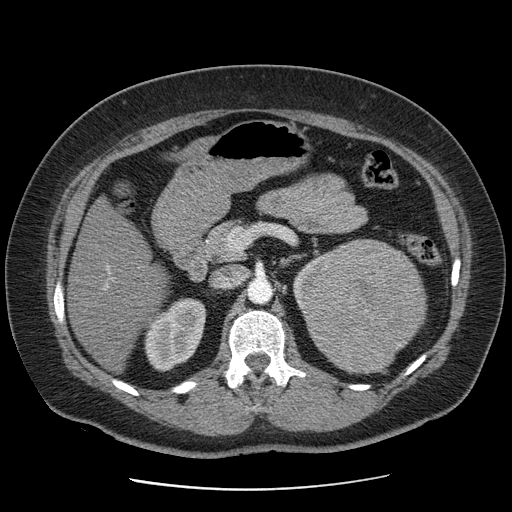
One axial slice (55 of 103, counting up from the lowest) of a contrast-enhanced abdominal CT acquired with 120 kVp, kernel STANDARD; each pixel is 0.736 mm and the slice is 2.50 mm thick.
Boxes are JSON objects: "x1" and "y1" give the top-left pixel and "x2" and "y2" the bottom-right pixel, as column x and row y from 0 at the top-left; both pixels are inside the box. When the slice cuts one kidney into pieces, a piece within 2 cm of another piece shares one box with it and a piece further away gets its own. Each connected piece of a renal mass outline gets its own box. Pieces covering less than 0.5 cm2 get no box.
Three kidney boxes and one renal mass box on this slice; by box centre, from the image's left to its right: (1) Right kidney at {"x1": 144, "y1": 298, "x2": 205, "y2": 370} (outlined area 3,283 px, about 17.8 cm2). (2) Box {"x1": 293, "y1": 252, "x2": 327, "y2": 313}: left kidney (one of two boxed parts) (outlined area 705 px, about 3.8 cm2). (3) Left renal mass, box {"x1": 302, "y1": 239, "x2": 424, "y2": 374} (outlined area 12,443 px, about 67.5 cm2). (4) Left kidney (one of two boxed parts) at {"x1": 397, "y1": 292, "x2": 427, "y2": 351} (outlined area 301 px, about 1.6 cm2).